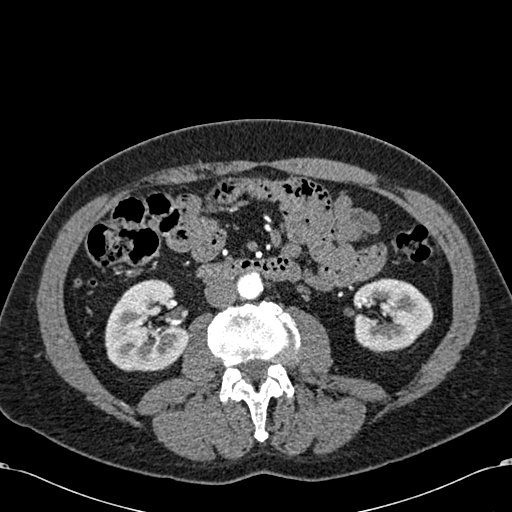
Axial slice 297 of 581 of a contrast-enhanced abdominal CT in the arterial phase (slice 1 is the lowest), 120 kVp, kernel B30f; 1.00 mm slice thickness and 0.713 mm pixels.
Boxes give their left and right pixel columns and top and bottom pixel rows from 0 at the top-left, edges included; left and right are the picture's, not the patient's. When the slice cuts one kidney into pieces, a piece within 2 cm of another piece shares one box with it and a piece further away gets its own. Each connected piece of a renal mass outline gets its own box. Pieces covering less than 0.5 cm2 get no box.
Two kidney boxes on this slice; by box centre, from the image's left to its right: (1) Right kidney in the box with left 104, top 279, right 188, bottom 371 (outlined area 5,898 px, about 30.0 cm2). (2) Left kidney in the box with left 352, top 278, right 433, bottom 351 (outlined area 4,460 px, about 22.7 cm2). No renal mass is outlined on this slice.